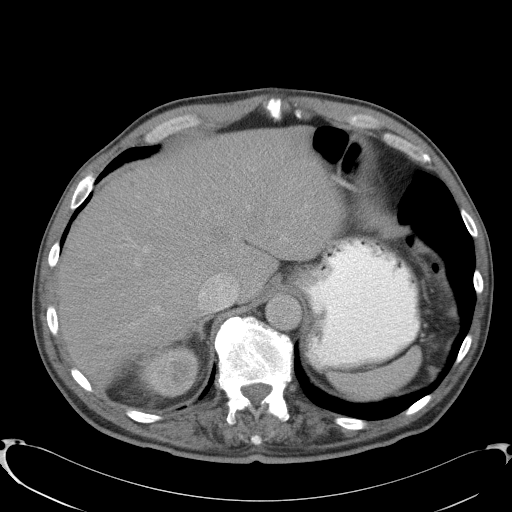
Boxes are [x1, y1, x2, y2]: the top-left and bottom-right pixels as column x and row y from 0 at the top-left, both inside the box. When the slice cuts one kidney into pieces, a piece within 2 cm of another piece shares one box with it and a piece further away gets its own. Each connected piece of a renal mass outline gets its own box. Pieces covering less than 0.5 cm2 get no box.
Slice 79/91 of a contrast-enhanced abdominal CT, counting up from the lowest; pixel size 0.762 mm, slice thickness 5.00 mm. Right kidney at [136, 345, 199, 398] (outlined area 2,570 px, about 14.9 cm2). No renal mass is outlined on this slice.
Tube voltage 120 kVp; convolution kernel B41f.